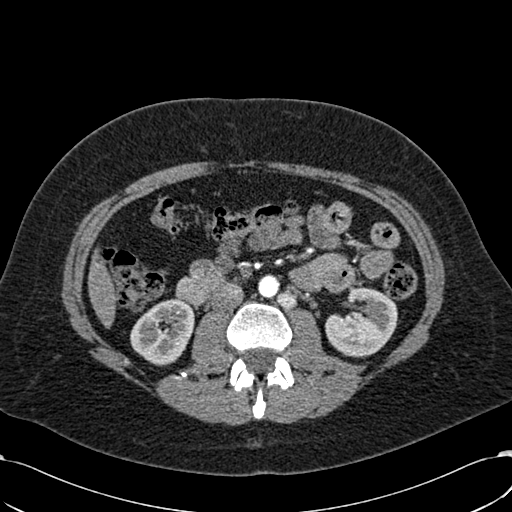
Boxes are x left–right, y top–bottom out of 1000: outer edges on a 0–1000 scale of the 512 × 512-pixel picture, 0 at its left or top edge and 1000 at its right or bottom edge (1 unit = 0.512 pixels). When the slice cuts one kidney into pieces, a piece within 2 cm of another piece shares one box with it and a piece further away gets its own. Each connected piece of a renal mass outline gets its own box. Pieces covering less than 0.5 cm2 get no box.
This is axial slice 314 of 532 (slice 1 is the lowest) of an arterial-phase abdominal CT with contrast; each pixel is 0.713 mm and the slice is 1.00 mm thick. Boxed on this slice (two kidney boxes), listed by box centre from the image's left to its right: (1) Box x 254–381, y 582–715 out of 1000: right kidney (outlined area 3,167 px, about 16.1 cm2). (2) Left kidney, box x 635–777, y 559–699 out of 1000 (outlined area 3,703 px, about 18.8 cm2). No renal mass outline on this slice.
Scan settings: 120 kVp, B30f reconstruction kernel.